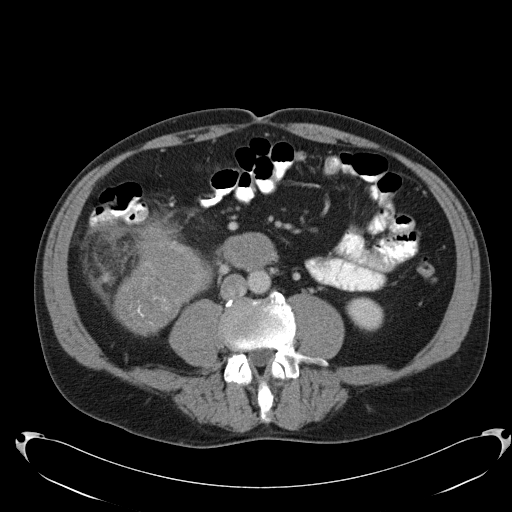
Axial slice 52 of 103 of a contrast-enhanced abdominal CT (slice 1 is the lowest), 120 kVp, kernel B31f; 5.00 mm slice thickness and 0.801 mm pixels.
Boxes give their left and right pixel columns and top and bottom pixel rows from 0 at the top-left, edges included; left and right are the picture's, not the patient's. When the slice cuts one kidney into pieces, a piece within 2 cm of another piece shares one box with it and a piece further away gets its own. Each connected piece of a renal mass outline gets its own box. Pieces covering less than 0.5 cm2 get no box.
One kidney box and one renal mass box on this slice; by box centre, from the image's left to its right: (1) Box with left 113, top 226, right 214, bottom 336: right renal mass (outlined area 6,816 px, about 43.7 cm2); here it is more than 1 cm from any kidney outline, though on another slice the same outlined renal mass lies within 1 cm of the kidney. (2) Left kidney, the box with left 345, top 296, right 383, bottom 331 (outlined area 1,005 px, about 6.4 cm2).